Abdominal CT with intravenous contrast, arterial phase, axial plane, 120 kVp, kernel B20f. Slice 405/719 from the bottom of the scan; thickness 1.00 mm; pixel size 0.766 mm.
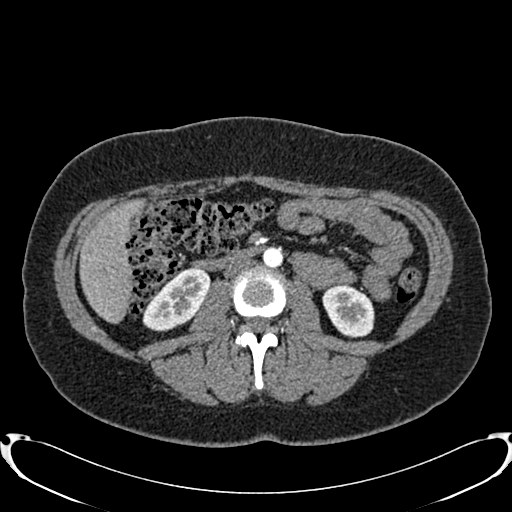
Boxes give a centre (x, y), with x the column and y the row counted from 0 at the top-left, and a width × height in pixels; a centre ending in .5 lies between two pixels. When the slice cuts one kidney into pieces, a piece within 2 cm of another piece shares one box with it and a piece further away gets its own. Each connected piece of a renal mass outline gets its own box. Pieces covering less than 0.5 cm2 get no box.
Two boxes on this slice (two kidney boxes), listed by box centre from the image's left to its right. (1) Right kidney, box centre (176, 299), 69 × 65 pixels (outlined area 2,797 px, about 16.4 cm2). (2) Left kidney, box centre (348, 310.5), 53 × 54 pixels (outlined area 2,144 px, about 12.6 cm2). No renal mass outline on this slice.